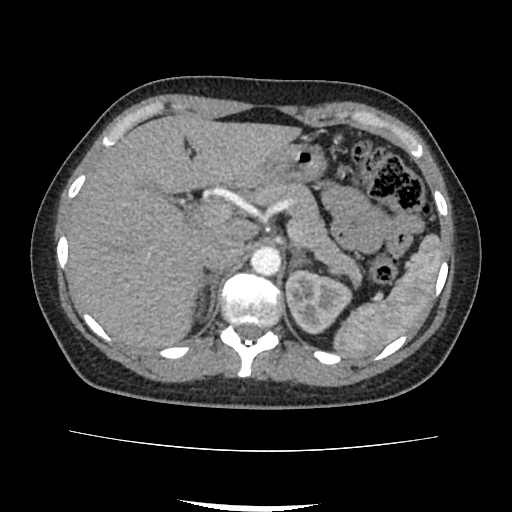
Axial slice 71 of 103 of a contrast-enhanced abdominal CT (slice 1 is the lowest), 120 kVp, kernel FC18; 3.00 mm slice thickness and 0.714 mm pixels.
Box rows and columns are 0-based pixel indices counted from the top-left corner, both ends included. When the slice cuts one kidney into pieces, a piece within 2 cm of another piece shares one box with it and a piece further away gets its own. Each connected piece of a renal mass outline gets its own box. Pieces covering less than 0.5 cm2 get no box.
Left kidney, box rows 269–334, columns 285–352 (outlined area 3,145 px, about 16.0 cm2). No renal mass outline on this slice.